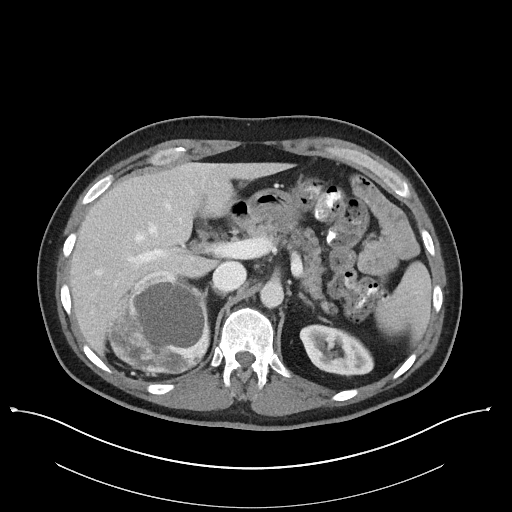
Contrast-enhanced abdominal CT, axial slice 78 of 101 (counted from the lowest slice); tube voltage 100 kVp, convolution kernel I40f; slices 5.00 mm thick, 0.879 mm per pixel.
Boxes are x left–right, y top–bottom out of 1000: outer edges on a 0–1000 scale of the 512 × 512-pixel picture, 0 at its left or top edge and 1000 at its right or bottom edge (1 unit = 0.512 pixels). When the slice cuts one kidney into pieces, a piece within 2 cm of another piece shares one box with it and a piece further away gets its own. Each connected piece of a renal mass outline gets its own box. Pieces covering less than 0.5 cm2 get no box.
Boxed on this slice (two kidney boxes and one renal mass box), listed by box centre from the image's left to its right: (1) Box x 250–361, y 529–570 out of 1000: right kidney (outlined area 241 px, about 1.9 cm2). (2) Right renal mass, box x 207–412, y 537–732 out of 1000 (outlined area 8,133 px, about 62.8 cm2). (3) Left kidney at x 584–732, y 633–736 out of 1000 (outlined area 2,791 px, about 21.6 cm2).